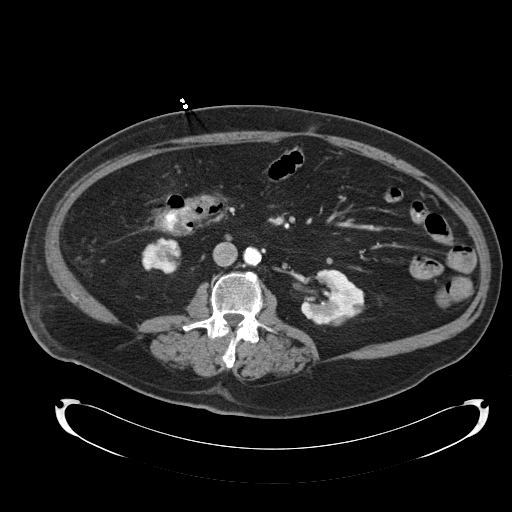
Abdominal CT with intravenous contrast, axial plane, 120 kVp, kernel B30f. Slice 55/92 from the bottom of the scan; thickness 5.00 mm; pixel size 0.918 mm.
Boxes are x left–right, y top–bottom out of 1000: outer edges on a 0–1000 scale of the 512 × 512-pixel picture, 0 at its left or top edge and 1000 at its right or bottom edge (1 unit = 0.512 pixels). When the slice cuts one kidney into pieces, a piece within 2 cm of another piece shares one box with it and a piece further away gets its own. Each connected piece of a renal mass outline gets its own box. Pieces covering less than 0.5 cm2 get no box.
Two kidney boxes on this slice; by box centre, from the image's left to its right: (1) Right kidney, box x 275–354, y 463–535 out of 1000 (outlined area 1,129 px, about 9.5 cm2). (2) Left kidney at x 586–713, y 525–639 out of 1000 (outlined area 2,498 px, about 21.0 cm2). No renal mass outline on this slice.